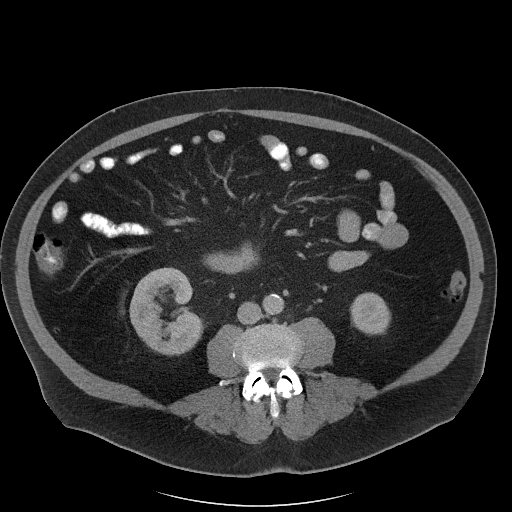
One axial slice (53 of 102, counting up from the lowest) of a contrast-enhanced abdominal CT acquired with 120 kVp, kernel I40f; each pixel is 0.977 mm and the slice is 5.00 mm thick.
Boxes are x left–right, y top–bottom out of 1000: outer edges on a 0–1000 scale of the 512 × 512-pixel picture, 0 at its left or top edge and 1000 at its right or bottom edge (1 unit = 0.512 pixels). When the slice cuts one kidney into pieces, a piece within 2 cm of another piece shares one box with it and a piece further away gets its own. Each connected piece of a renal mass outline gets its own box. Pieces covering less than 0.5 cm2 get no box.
Boxed on this slice (two kidney boxes), listed by box centre from the image's left to its right: (1) Box x 252–400, y 521–695 out of 1000: right kidney (outlined area 4,591 px, about 43.8 cm2). (2) Left kidney, box x 684–764, y 570–654 out of 1000 (outlined area 1,370 px, about 13.1 cm2). No renal mass is outlined on this slice.